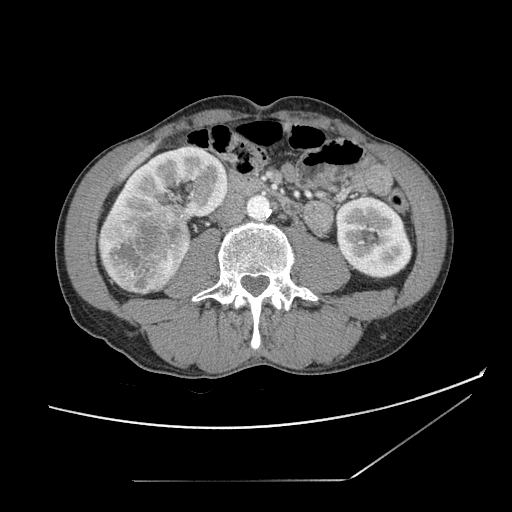
Abdominal CT with intravenous contrast, axial plane, 120 kVp, kernel STANDARD. Slice 46/121 from the bottom of the scan; thickness 2.50 mm; pixel size 0.742 mm.
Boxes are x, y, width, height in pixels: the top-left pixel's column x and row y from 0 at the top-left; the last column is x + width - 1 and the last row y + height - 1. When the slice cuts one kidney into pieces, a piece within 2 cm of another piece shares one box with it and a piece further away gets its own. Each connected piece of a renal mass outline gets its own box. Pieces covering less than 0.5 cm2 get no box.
Two kidney boxes and one renal mass box on this slice; by box centre, from the image's left to its right: (1) Right renal mass at x 97, y 209, width 101, height 88 (outlined area 6,587 px, about 36.3 cm2). (2) Right kidney at x 105, y 145, width 122, height 99 (outlined area 6,486 px, about 35.7 cm2). (3) Left kidney at x 335, y 196, width 78, height 85 (outlined area 4,936 px, about 27.2 cm2).